Axial slice 48 of 117 of a contrast-enhanced abdominal CT in the arterial phase (slice 1 is the lowest), 120 kVp, kernel FC12; 3.00 mm slice thickness and 0.518 mm pixels.
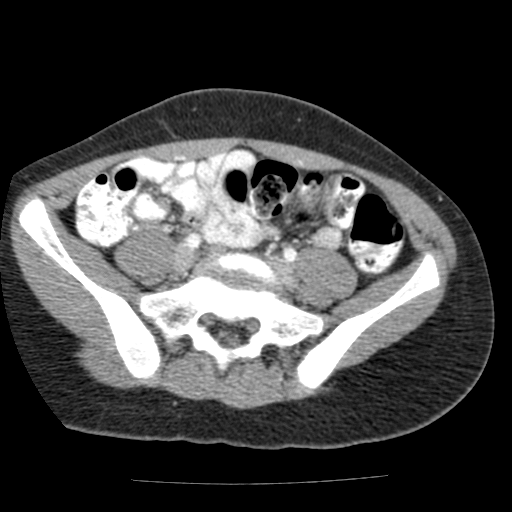
No kidney and no renal mass is outlined on this slice; the outlines in this scan cover only the kidneys and the renal masses, so nothing is said about any other organ.